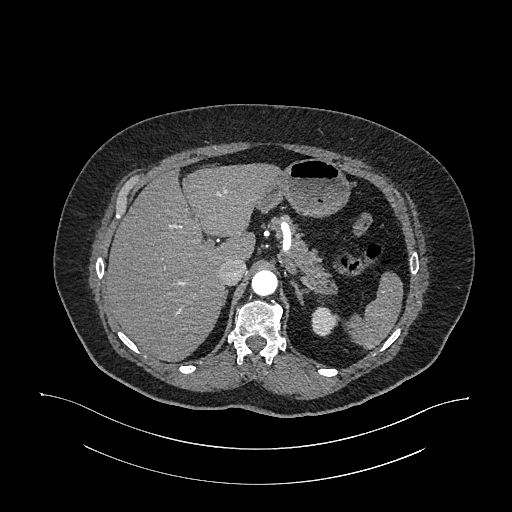
One axial slice (795 of 987, counting up from the lowest) of an arterial-phase abdominal CT acquired with 120 kVp, kernel I26f; each pixel is 0.977 mm and the slice is 1.00 mm thick.
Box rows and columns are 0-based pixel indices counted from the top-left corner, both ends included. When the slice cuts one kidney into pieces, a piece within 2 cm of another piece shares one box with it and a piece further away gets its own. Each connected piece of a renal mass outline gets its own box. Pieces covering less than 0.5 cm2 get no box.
Left kidney, box rows 306–336, columns 311–338 (outlined area 621 px, about 5.9 cm2). No renal mass outline on this slice.